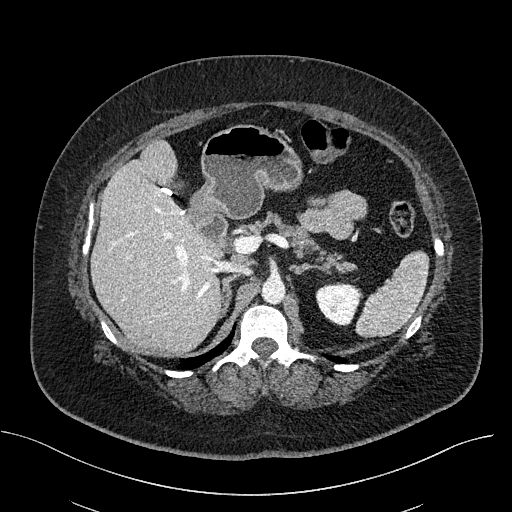
One axial slice (338 of 470, counting up from the lowest) of a contrast-enhanced abdominal CT acquired with 100 kVp, kernel I40f; each pixel is 0.824 mm and the slice is 2.00 mm thick.
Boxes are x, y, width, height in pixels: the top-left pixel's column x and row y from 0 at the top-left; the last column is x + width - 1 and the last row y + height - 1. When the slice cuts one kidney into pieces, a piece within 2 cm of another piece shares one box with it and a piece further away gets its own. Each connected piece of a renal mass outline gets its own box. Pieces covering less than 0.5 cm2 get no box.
Left kidney at x 315, y 282, width 46, height 44 (outlined area 1,508 px, about 10.2 cm2). This slice carries no renal mass outline.